One axial slice (315 of 634, counting up from the lowest) of an arterial-phase abdominal CT acquired with 120 kVp, kernel B20f; each pixel is 0.838 mm and the slice is 1.00 mm thick.
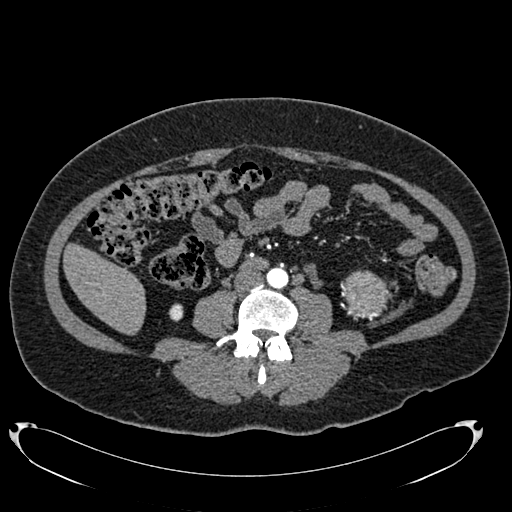
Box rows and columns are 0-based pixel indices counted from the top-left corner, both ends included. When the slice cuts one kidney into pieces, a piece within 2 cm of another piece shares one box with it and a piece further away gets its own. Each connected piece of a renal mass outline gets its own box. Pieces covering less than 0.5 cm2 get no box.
One kidney box and one renal mass box on this slice; by box centre, from the image's left to its right: (1) Right kidney, box rows 303–321, columns 169–183 (outlined area 213 px, about 1.5 cm2). (2) Left renal mass at rows 270–315, columns 342–389 (outlined area 1,668 px, about 11.7 cm2); on this slice it lies more than 1 cm from any kidney outline, but the same outlined renal mass comes within 1 cm of the kidney on another slice.